Contrast-enhanced abdominal CT, axial slice 52 of 76 (counted from the lowest slice); tube voltage 120 kVp, convolution kernel STANDARD; slices 2.50 mm thick, 0.586 mm per pixel.
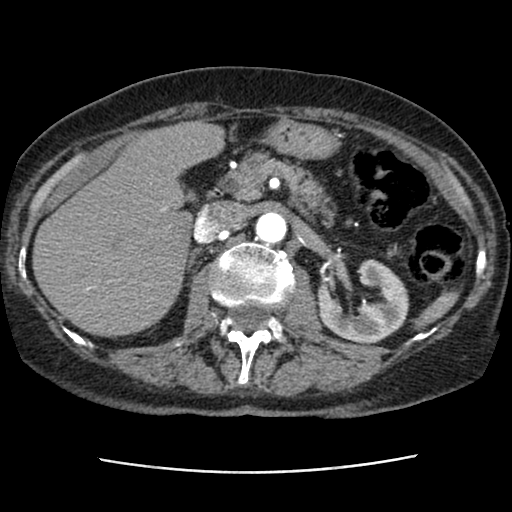
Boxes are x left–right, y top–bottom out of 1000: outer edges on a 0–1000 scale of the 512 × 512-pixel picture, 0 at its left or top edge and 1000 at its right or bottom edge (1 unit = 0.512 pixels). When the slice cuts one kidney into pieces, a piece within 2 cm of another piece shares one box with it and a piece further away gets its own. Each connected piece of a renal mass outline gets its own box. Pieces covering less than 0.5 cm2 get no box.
Box x 617–801, y 506–672 out of 1000: left kidney (outlined area 5,107 px, about 17.5 cm2). No renal mass is outlined on this slice.